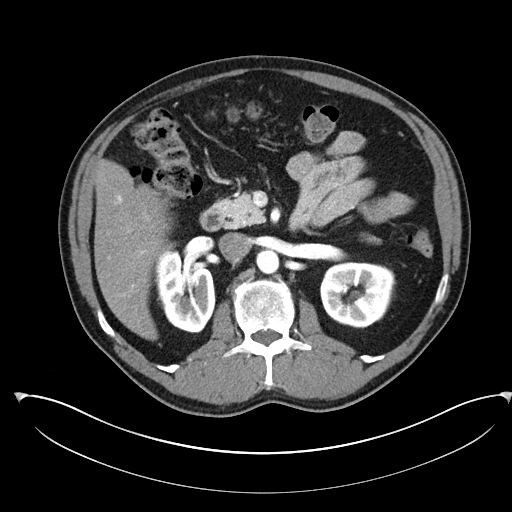
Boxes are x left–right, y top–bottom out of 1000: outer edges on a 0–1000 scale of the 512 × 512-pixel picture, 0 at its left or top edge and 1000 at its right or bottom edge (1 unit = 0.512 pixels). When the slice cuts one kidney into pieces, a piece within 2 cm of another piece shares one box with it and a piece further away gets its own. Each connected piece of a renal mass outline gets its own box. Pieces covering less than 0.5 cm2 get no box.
This is axial slice 145 of 302 (slice 1 is the lowest) of an arterial-phase abdominal CT with contrast; each pixel is 0.875 mm and the slice is 5.00 mm thick. Boxed on this slice (two kidney boxes), listed by box centre from the image's left to its right: (1) Right kidney at x 303–422, y 475–652 out of 1000 (outlined area 4,078 px, about 31.2 cm2). (2) Left kidney at x 625–773, y 508–643 out of 1000 (outlined area 4,111 px, about 31.5 cm2). This slice carries no renal mass outline.
Scan settings: 100 kVp, I30f reconstruction kernel.